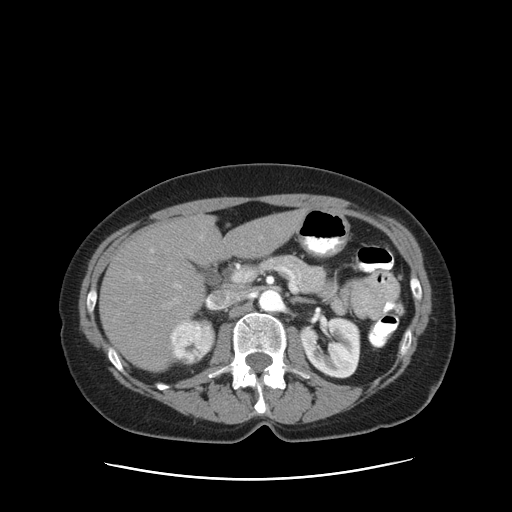
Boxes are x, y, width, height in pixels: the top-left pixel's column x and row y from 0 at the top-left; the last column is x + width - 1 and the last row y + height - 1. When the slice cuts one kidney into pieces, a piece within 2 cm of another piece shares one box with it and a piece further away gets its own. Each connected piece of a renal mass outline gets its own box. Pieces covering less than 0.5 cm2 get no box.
Slice 57/83 of a contrast-enhanced abdominal CT in the arterial phase, counting up from the lowest; pixel size 0.775 mm, slice thickness 5.00 mm. Boxed on this slice (one kidney box and one renal mass box), listed by box centre from the image's left to its right: (1) Right renal mass, box x 169, y 318, width 47, height 48 (outlined area 1,704 px, about 10.2 cm2); here it is more than 1 cm from any kidney outline, though on another slice the same outlined renal mass lies within 1 cm of the kidney. (2) Left kidney at x 300, y 316, width 61, height 63 (outlined area 2,922 px, about 17.6 cm2).
Acquired at 120 kVp and reconstructed with the STANDARD kernel.